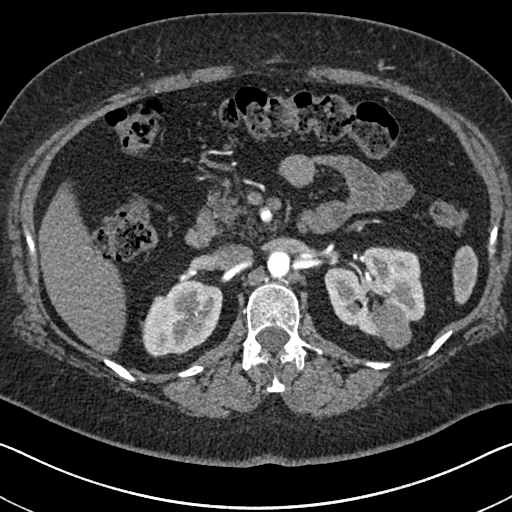
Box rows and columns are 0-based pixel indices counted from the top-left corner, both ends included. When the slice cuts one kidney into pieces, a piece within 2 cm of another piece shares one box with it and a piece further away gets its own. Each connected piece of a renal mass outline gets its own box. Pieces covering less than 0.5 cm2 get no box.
Arterial-phase contrast-enhanced abdominal CT, axial slice 435 of 591 (counted from the lowest slice); 1.00 mm thick, 0.703 mm per pixel. Boxed on this slice (two kidney boxes and one renal mass box), listed by box centre from the image's left to its right: (1) Right kidney, box rows 280–357, columns 140–222 (outlined area 4,608 px, about 22.8 cm2). (2) Box rows 246–337, columns 324–425: left kidney (outlined area 5,859 px, about 29.0 cm2). (3) Box rows 304–349, columns 370–411: left renal mass (outlined area 1,358 px, about 6.7 cm2).
Acquired at 140 kVp and reconstructed with the I30f kernel.